Abdominal CT with intravenous contrast, arterial phase, axial plane, 120 kVp, kernel I26f. Slice 65/470 from the bottom of the scan; thickness 1.00 mm; pixel size 0.938 mm.
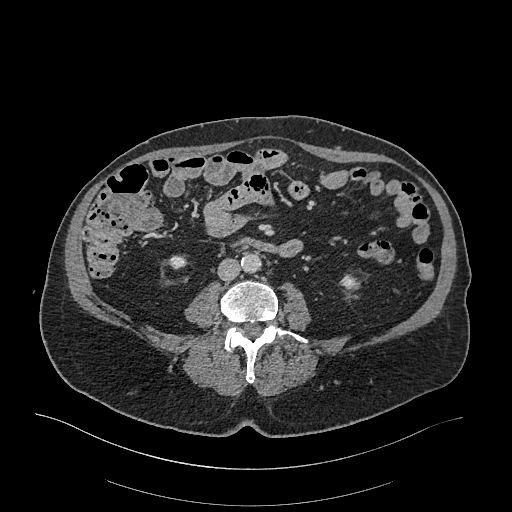
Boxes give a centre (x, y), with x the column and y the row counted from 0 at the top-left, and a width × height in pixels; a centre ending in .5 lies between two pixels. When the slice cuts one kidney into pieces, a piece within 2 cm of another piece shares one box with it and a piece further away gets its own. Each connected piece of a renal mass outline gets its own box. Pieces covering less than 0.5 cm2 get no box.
Two kidney boxes on this slice; by box centre, from the image's left to its right: (1) Right kidney in a box with centre (177, 262), 17 × 15 pixels (outlined area 189 px, about 1.7 cm2). (2) Box centre (350.5, 282.5), 20 × 16 pixels: left kidney (outlined area 226 px, about 2.0 cm2). This slice carries no renal mass outline.